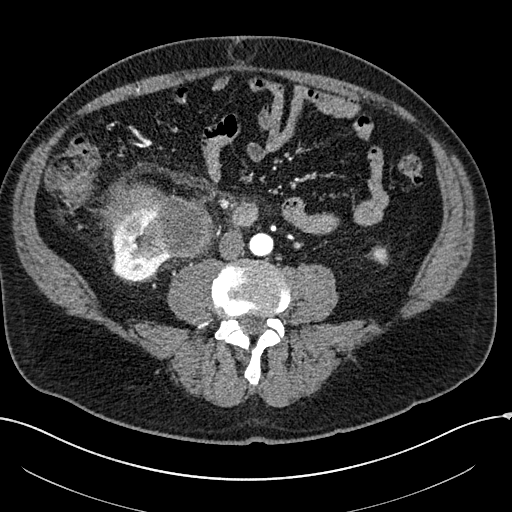
One axial slice (43 of 304, counting up from the lowest) of an arterial-phase abdominal CT acquired with 100 kVp, kernel I30f; each pixel is 0.809 mm and the slice is 2.00 mm thick.
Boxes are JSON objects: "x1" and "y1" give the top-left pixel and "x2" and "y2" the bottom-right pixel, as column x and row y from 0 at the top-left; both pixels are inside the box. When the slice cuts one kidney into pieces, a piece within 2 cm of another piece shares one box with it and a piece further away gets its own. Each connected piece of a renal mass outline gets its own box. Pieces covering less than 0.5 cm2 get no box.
Boxed on this slice (two kidney boxes and one renal mass box), listed by box centre from the image's left to its right: (1) Right kidney at {"x1": 109, "y1": 210, "x2": 170, "y2": 283} (outlined area 2,491 px, about 16.3 cm2). (2) Box {"x1": 101, "y1": 180, "x2": 213, "y2": 258}: right renal mass (outlined area 5,364 px, about 35.1 cm2). (3) Left kidney at {"x1": 376, "y1": 249, "x2": 385, "y2": 259} (outlined area 84 px, about 0.5 cm2).